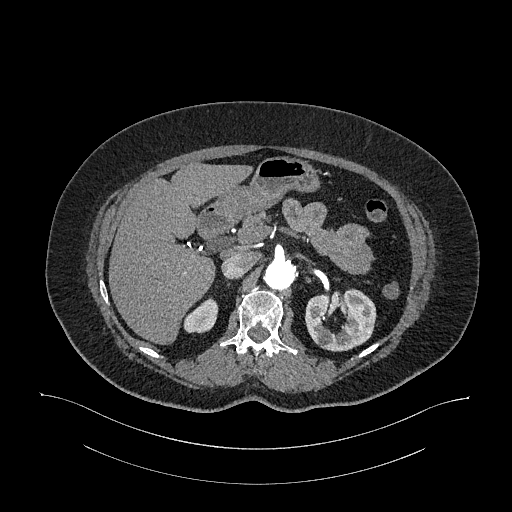
Axial slice 724 of 987 of a contrast-enhanced abdominal CT in the arterial phase (slice 1 is the lowest), 120 kVp, kernel I26f; 1.00 mm slice thickness and 0.977 mm pixels.
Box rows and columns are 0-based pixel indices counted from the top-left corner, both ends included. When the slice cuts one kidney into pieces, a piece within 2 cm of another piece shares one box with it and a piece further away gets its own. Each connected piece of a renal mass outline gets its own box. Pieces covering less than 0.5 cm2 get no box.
Two kidney boxes on this slice; by box centre, from the image's left to its right: (1) Box rows 297–333, columns 183–218: right kidney (outlined area 862 px, about 8.2 cm2). (2) Box rows 288–351, columns 305–376: left kidney (outlined area 3,319 px, about 31.7 cm2). No renal mass outline on this slice.